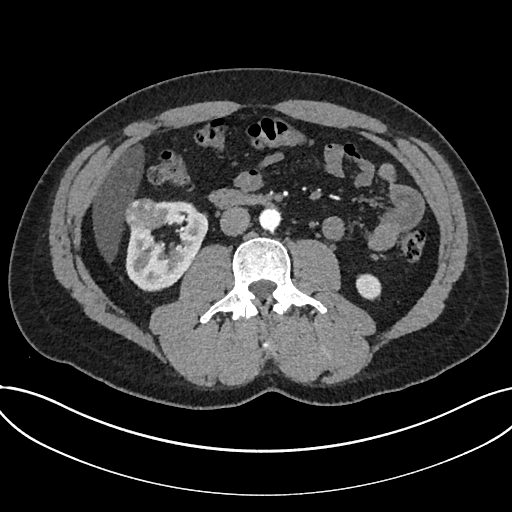
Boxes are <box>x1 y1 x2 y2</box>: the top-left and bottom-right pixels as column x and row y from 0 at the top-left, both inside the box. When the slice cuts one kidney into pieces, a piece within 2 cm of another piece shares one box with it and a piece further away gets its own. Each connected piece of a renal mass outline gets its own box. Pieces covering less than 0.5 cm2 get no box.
Slice 358/735 of a contrast-enhanced abdominal CT in the arterial phase, counting up from the lowest; pixel size 0.789 mm, slice thickness 1.00 mm. Two kidney boxes and one renal mass box on this slice; by box centre, from the image's left to its right: (1) At <box>123 198 161 231</box>: renal mass (outlined area 1,052 px, about 6.5 cm2). (2) At <box>125 201 207 291</box>: kidney (outlined area 4,632 px, about 28.8 cm2). (3) Kidney: <box>355 273 381 300</box> (outlined area 560 px, about 3.5 cm2).
Scan settings: 120 kVp, I30f reconstruction kernel.